Abdominal CT with intravenous contrast, arterial phase, axial plane, 120 kVp, kernel B31f. Slice 133/326 from the bottom of the scan; thickness 2.00 mm; pixel size 0.963 mm.
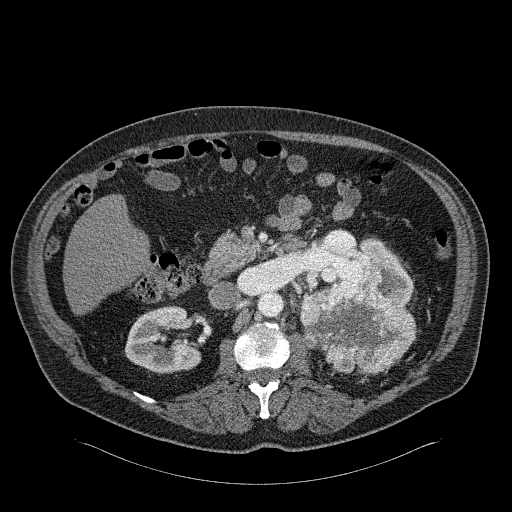
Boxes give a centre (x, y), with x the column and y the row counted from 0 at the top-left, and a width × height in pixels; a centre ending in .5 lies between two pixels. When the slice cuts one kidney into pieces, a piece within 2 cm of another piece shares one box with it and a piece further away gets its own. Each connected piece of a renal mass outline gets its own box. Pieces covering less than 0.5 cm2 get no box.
Two kidney boxes and one renal mass box on this slice; by box centre, from the image's left to its right: (1) Right kidney, box centre (162.5, 339.5), 78 × 70 pixels (outlined area 3,762 px, about 34.9 cm2). (2) Left renal mass, box centre (357.5, 319.5), 118 × 108 pixels (outlined area 8,537 px, about 79.2 cm2). (3) Left kidney in a box with centre (358.5, 271), 110 × 67 pixels (outlined area 2,869 px, about 26.6 cm2).